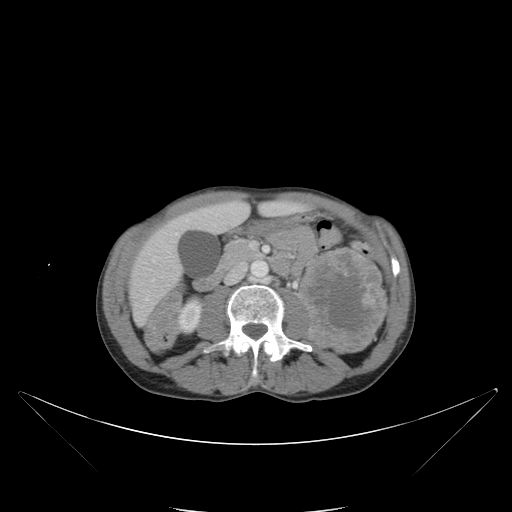
Abdominal CT with intravenous contrast, axial plane, 120 kVp, kernel B. Slice 55/88 from the bottom of the scan; thickness 5.00 mm; pixel size 0.865 mm.
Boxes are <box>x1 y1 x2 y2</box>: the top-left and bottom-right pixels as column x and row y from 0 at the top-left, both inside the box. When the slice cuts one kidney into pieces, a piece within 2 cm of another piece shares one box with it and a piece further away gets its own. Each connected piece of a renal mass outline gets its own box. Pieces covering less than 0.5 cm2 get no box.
One kidney box and one renal mass box on this slice; by box centre, from the image's left to its right: (1) Right kidney: <box>179 294 202 335</box> (outlined area 755 px, about 5.7 cm2). (2) Left renal mass: <box>298 247 388 354</box> (outlined area 7,345 px, about 55.0 cm2); here it is more than 1 cm from any kidney outline, though on another slice the same outlined renal mass lies within 1 cm of the kidney.